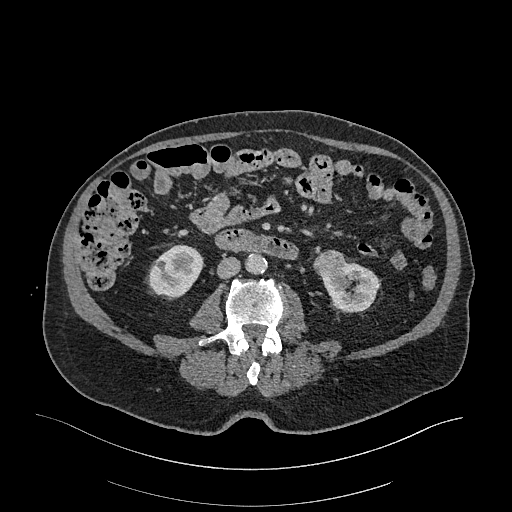
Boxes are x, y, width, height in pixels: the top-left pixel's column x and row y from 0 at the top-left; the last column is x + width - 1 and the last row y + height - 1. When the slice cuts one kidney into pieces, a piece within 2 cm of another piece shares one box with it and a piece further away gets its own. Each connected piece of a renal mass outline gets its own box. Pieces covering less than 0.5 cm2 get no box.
This is axial slice 97 of 470 (slice 1 is the lowest) of an arterial-phase abdominal CT with contrast; each pixel is 0.938 mm and the slice is 1.00 mm thick. Two kidney boxes and one renal mass box on this slice; by box centre, from the image's left to its right: (1) Box x 147, y 244, width 58, height 55: right kidney (outlined area 2,226 px, about 19.6 cm2). (2) Left renal mass, box x 313, y 250, width 32, height 31 (outlined area 786 px, about 6.9 cm2). (3) Left kidney at x 321, y 259, width 58, height 54 (outlined area 1,942 px, about 17.1 cm2).
Scan settings: 120 kVp, I26f reconstruction kernel.